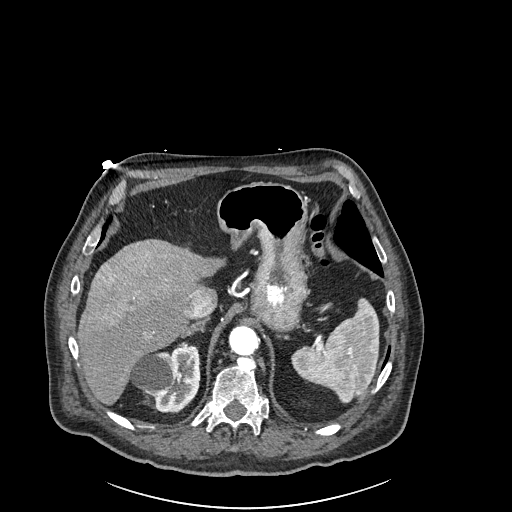
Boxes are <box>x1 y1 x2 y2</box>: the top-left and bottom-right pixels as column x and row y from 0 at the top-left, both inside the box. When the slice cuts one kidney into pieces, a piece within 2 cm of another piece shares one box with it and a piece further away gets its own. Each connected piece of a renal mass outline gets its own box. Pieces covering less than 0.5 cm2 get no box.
Arterial-phase contrast-enhanced abdominal CT, axial slice 187 of 261 (counted from the lowest slice); 2.00 mm thick, 0.939 mm per pixel. Right kidney at <box>130 344 200 412</box> (outlined area 3,421 px, about 30.2 cm2). No renal mass is outlined on this slice.
Tube voltage 120 kVp; convolution kernel I30f.